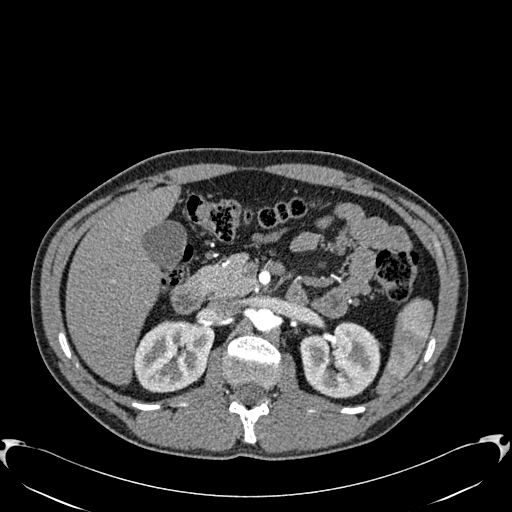
Arterial-phase contrast-enhanced abdominal CT, axial slice 386 of 512 (counted from the lowest slice); tube voltage 120 kVp, convolution kernel B30f; slices 1.00 mm thick, 0.771 mm per pixel.
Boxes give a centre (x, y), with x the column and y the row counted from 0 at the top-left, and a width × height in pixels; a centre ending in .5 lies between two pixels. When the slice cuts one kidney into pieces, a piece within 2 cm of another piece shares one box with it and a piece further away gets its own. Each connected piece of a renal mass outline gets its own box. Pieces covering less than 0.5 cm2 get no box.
Two boxes on this slice (two kidney boxes), listed by box centre from the image's left to its right. (1) Box centre (173.5, 356), 82 × 73 pixels: right kidney (outlined area 4,613 px, about 27.5 cm2). (2) Box centre (340, 359.5), 81 × 78 pixels: left kidney (outlined area 4,778 px, about 28.4 cm2). This slice carries no renal mass outline.